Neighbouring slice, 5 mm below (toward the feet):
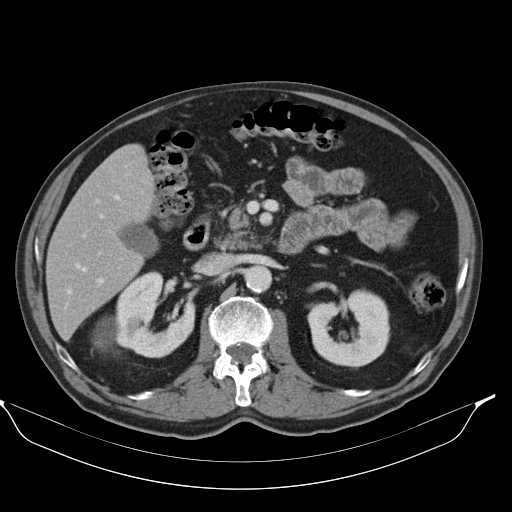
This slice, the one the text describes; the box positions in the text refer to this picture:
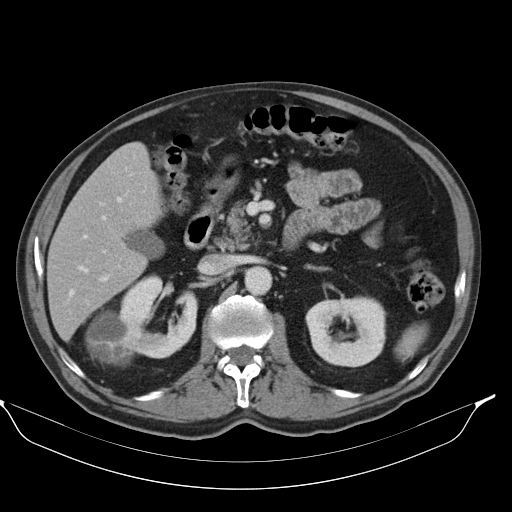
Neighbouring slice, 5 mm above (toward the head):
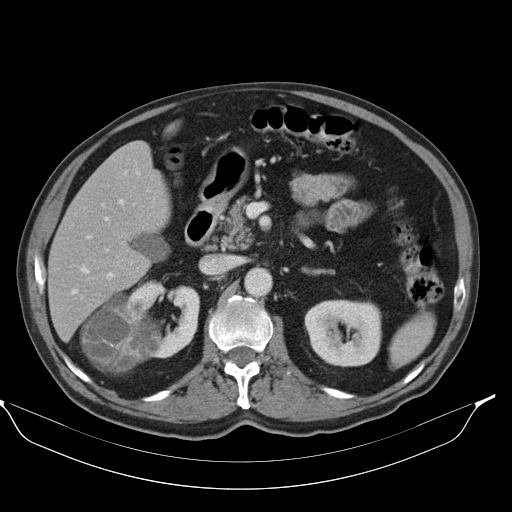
Axial slice 62 of 98 of a contrast-enhanced abdominal CT (slice 1 is the lowest), 130 kVp, kernel B30s; 5.00 mm slice thickness and 0.840 mm pixels.
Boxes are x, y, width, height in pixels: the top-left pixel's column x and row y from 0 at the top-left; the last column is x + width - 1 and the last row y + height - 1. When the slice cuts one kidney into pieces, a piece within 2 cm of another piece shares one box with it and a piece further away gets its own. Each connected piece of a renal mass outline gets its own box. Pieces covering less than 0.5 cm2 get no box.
Boxed on this slice (two kidney boxes and one renal mass box), listed by box centre from the image's left to its right: (1) Right renal mass at x 85, y 310, width 50, height 57 (outlined area 1,863 px, about 13.1 cm2). (2) Right kidney, box x 119, y 273, width 79, height 85 (outlined area 4,314 px, about 30.4 cm2). (3) Box x 306, y 297, width 80, height 70: left kidney (outlined area 4,455 px, about 31.4 cm2). This slice is near the end of the right renal mass toward the feet, so the slices 5 mm below and 5 mm above it are shown as well; the boxes refer to this slice only.